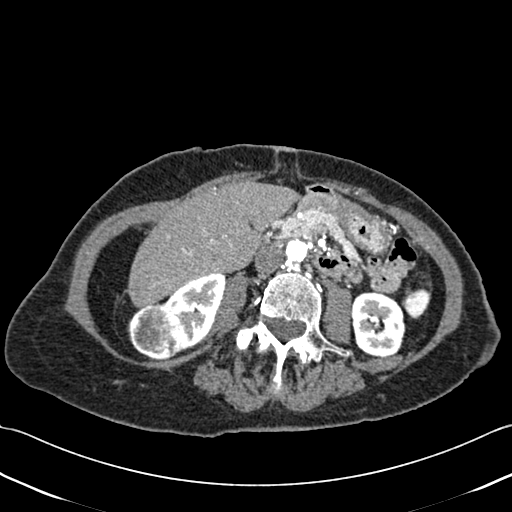
Abdominal CT with intravenous contrast, axial plane, 120 kVp, kernel B30f. Slice 200/433 from the bottom of the scan; thickness 1.00 mm; pixel size 0.672 mm.
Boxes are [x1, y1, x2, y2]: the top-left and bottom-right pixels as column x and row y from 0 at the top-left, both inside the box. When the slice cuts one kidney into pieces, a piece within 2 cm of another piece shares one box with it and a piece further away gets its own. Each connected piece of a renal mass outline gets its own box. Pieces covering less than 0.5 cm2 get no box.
Three boxes on this slice (two kidney boxes and one renal mass box), listed by box centre from the image's left to its right. (1) Right renal mass at [127, 302, 181, 360] (outlined area 2,398 px, about 10.8 cm2). (2) Right kidney, box [162, 272, 225, 350] (outlined area 2,844 px, about 12.8 cm2). (3) Left kidney, box [351, 292, 405, 357] (outlined area 2,938 px, about 13.3 cm2).